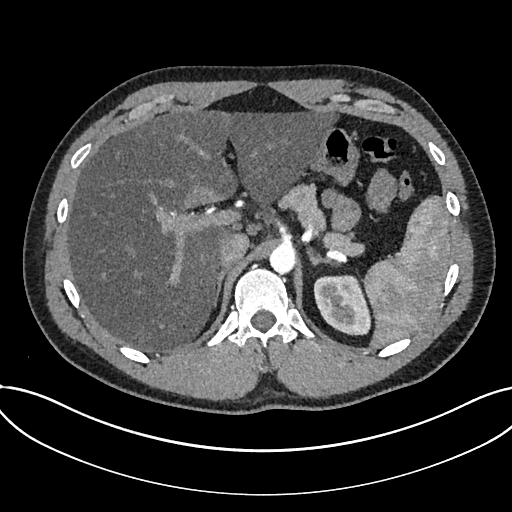
Arterial-phase contrast-enhanced abdominal CT, axial slice 556 of 735 (counted from the lowest slice); tube voltage 120 kVp, convolution kernel I30f; slices 1.00 mm thick, 0.789 mm per pixel.
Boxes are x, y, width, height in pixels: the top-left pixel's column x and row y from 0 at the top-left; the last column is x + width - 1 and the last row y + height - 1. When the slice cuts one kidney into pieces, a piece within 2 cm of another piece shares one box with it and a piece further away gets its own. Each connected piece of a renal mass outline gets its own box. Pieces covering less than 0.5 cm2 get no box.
Kidney at x 313, y 275, width 58, height 61 (outlined area 2,685 px, about 16.7 cm2). No renal mass outline on this slice.